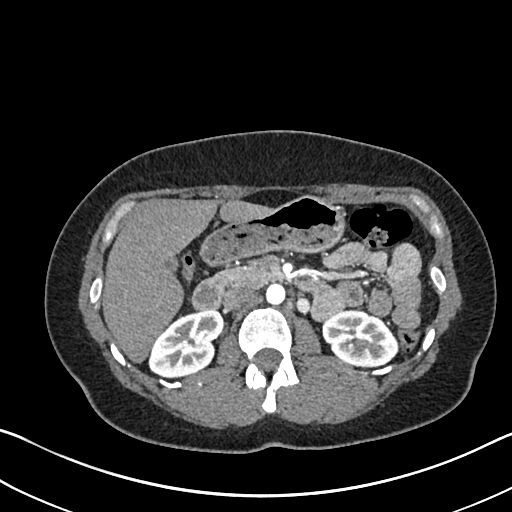
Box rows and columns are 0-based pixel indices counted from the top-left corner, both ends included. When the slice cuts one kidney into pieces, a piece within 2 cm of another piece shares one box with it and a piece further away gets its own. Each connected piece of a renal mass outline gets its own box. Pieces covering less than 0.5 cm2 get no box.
Arterial-phase contrast-enhanced abdominal CT, axial slice 417 of 612 (counted from the lowest slice); 1.00 mm thick, 0.703 mm per pixel. Two boxes on this slice (two kidney boxes), listed by box centre from the image's left to its right. (1) Box rows 309–377, columns 148–224: right kidney (outlined area 3,659 px, about 18.1 cm2). (2) Left kidney, box rows 309–368, columns 322–398 (outlined area 3,370 px, about 16.7 cm2). No renal mass is outlined on this slice.
Scan settings: 120 kVp, I30f reconstruction kernel.